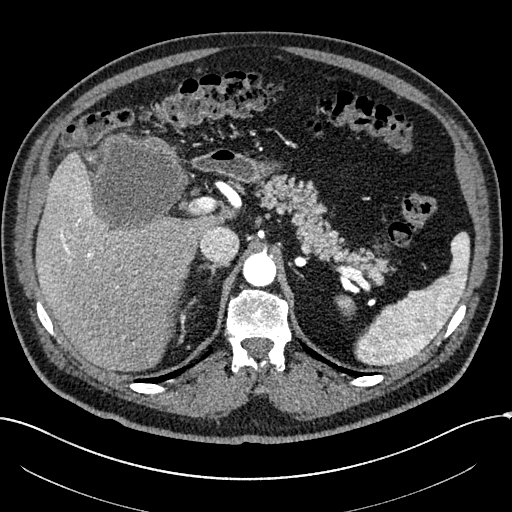
One axial slice (180 of 304, counting up from the lowest) of an arterial-phase abdominal CT acquired with 100 kVp, kernel I30f; each pixel is 0.809 mm and the slice is 2.00 mm thick.
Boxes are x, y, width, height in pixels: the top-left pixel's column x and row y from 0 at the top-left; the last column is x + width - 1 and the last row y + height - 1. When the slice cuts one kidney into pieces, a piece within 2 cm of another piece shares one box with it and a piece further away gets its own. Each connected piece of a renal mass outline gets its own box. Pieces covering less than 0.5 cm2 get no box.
Right renal mass at x 86, y 132, width 99, height 104 (outlined area 8,003 px, about 52.3 cm2); no kidney is outlined on this slice, but the same outlined renal mass comes within 1 cm of the kidney on another slice.